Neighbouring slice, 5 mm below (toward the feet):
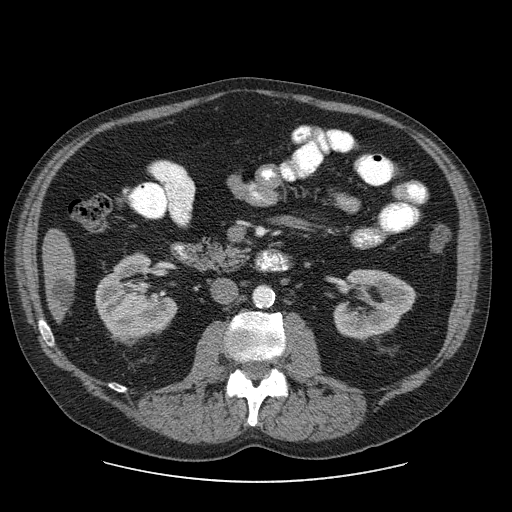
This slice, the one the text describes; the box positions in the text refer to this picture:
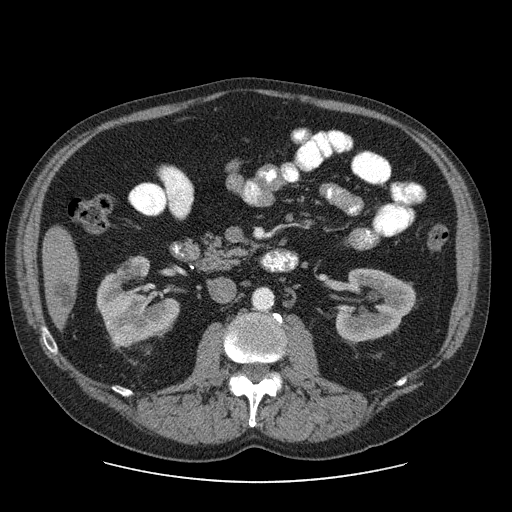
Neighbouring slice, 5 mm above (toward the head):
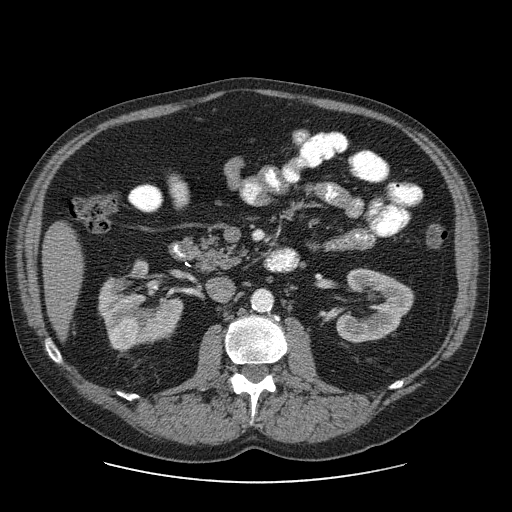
Contrast-enhanced abdominal CT, axial slice 35 of 103 (counted from the lowest slice); tube voltage 120 kVp, convolution kernel STANDARD; slices 2.50 mm thick, 0.820 mm per pixel.
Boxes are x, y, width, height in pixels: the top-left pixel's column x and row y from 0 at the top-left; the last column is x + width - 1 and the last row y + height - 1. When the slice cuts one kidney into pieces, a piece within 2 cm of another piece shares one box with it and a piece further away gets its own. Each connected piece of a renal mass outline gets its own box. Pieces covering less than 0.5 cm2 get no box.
Two kidney boxes and one renal mass box on this slice; by box centre, from the image's left to its right: (1) Right renal mass at x 111, y 337, width 11, height 11 (outlined area 78 px, about 0.5 cm2). (2) Box x 96, y 256, width 84, height 92: right kidney (outlined area 4,731 px, about 31.8 cm2). (3) Left kidney at x 335, y 268, width 82, height 75 (outlined area 4,100 px, about 27.6 cm2). This slice lies near the end of the right renal mass toward the feet; the slices 5 mm below and 5 mm above it are shown too, and the boxes mark positions on this slice only.